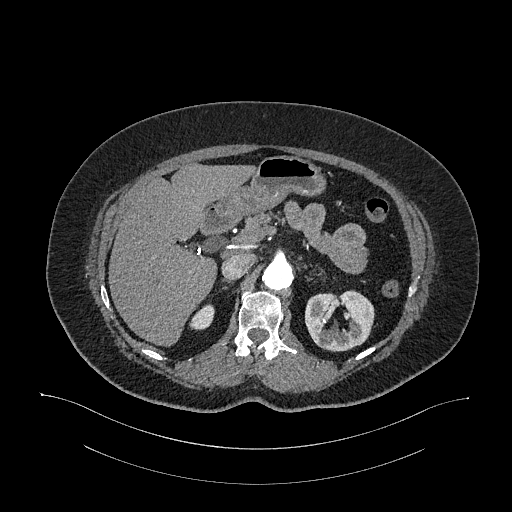
Abdominal CT with intravenous contrast, arterial phase, axial plane, 120 kVp, kernel I26f. Slice 730/987 from the bottom of the scan; thickness 1.00 mm; pixel size 0.977 mm.
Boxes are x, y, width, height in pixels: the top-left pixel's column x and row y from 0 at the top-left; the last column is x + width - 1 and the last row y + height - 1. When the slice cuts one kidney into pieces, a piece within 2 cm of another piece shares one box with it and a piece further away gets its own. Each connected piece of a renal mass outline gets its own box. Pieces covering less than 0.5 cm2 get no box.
Two kidney boxes on this slice; by box centre, from the image's left to its right: (1) Right kidney, box x 189, y 304, width 26, height 27 (outlined area 461 px, about 4.4 cm2). (2) Left kidney at x 304, y 290, width 71, height 62 (outlined area 3,209 px, about 30.6 cm2). No renal mass outline on this slice.